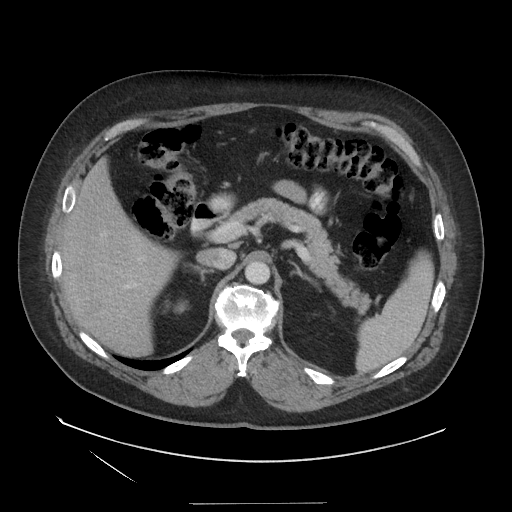
Arterial-phase contrast-enhanced abdominal CT, axial slice 97 of 129 (counted from the lowest slice); tube voltage 140 kVp, convolution kernel STANDARD; slices 3.75 mm thick, 0.938 mm per pixel.
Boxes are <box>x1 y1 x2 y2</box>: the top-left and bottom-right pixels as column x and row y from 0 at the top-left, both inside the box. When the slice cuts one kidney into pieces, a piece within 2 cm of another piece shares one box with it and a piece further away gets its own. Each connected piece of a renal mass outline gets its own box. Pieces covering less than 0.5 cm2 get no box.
At <box>174 301 187 313</box>: right kidney (outlined area 133 px, about 1.2 cm2). This slice carries no renal mass outline.